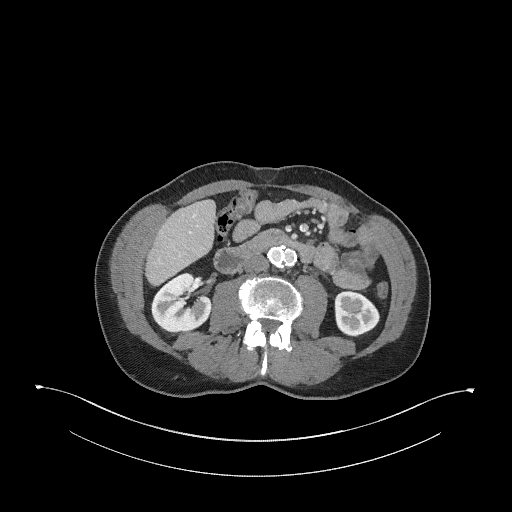
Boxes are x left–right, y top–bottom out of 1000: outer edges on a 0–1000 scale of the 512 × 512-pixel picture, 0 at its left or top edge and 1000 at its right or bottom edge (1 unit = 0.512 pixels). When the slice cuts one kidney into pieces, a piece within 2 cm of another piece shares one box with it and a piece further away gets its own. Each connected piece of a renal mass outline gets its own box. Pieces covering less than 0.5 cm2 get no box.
Arterial-phase contrast-enhanced abdominal CT, axial slice 141 of 345 (counted from the lowest slice); 2.00 mm thick, 0.977 mm per pixel. Boxed on this slice (two kidney boxes), listed by box centre from the image's left to its right: (1) Right kidney at x 295–414, y 531–652 out of 1000 (outlined area 2,727 px, about 26.0 cm2). (2) Box x 652–742, y 566–658 out of 1000: left kidney (outlined area 1,662 px, about 15.9 cm2). No renal mass outline on this slice.
Tube voltage 120 kVp; convolution kernel I31f.